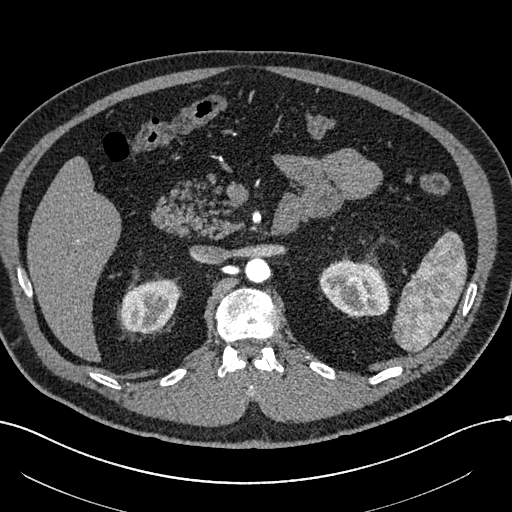
One axial slice (395 of 602, counting up from the lowest) of an arterial-phase abdominal CT acquired with 120 kVp, kernel I30f; each pixel is 0.799 mm and the slice is 1.00 mm thick.
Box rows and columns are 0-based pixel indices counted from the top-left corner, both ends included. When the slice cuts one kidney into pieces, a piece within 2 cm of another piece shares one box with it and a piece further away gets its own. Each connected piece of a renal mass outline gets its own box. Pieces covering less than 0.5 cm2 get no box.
Boxed on this slice (two kidney boxes), listed by box centre from the image's left to its right: (1) Box rows 280–332, columns 121–180: right kidney (outlined area 2,420 px, about 15.4 cm2). (2) Box rows 259–317, columns 319–390: left kidney (outlined area 3,109 px, about 19.8 cm2). This slice carries no renal mass outline.